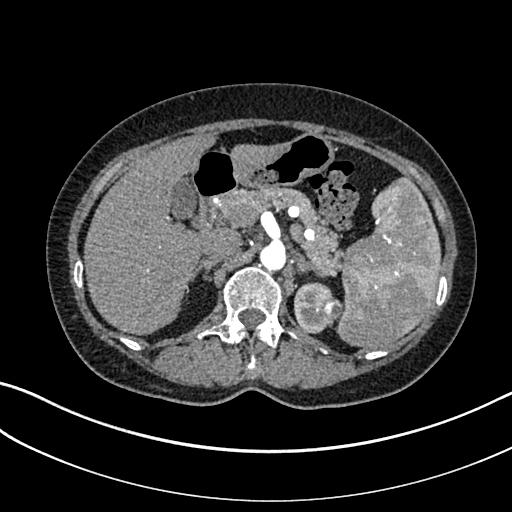
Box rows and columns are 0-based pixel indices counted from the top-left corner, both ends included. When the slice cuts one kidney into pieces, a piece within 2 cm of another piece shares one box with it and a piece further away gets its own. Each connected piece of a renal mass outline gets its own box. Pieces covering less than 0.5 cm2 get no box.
This is axial slice 237 of 325 (slice 1 is the lowest) of an arterial-phase abdominal CT with contrast; each pixel is 0.703 mm and the slice is 1.00 mm thick. Two boxes on this slice (one kidney box and one renal mass box), listed by box centre from the image's left to its right. (1) Box rows 282–333, columns 294–332: left kidney (outlined area 1,439 px, about 7.1 cm2). (2) Left renal mass, box rows 296–323, columns 321–343 (outlined area 457 px, about 2.3 cm2).
Tube voltage 100 kVp; convolution kernel I30f.